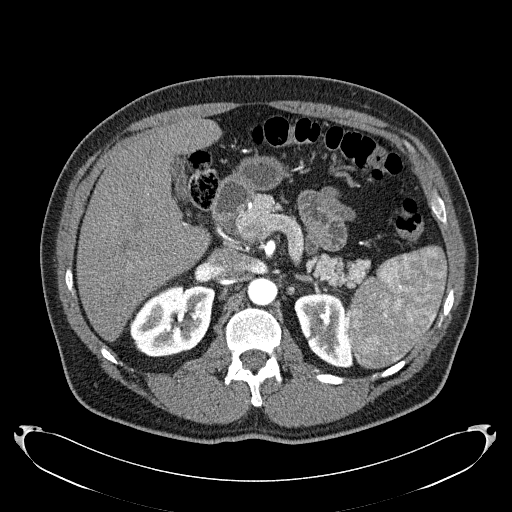
Abdominal CT with intravenous contrast, arterial phase, axial plane, 120 kVp, kernel B31f. Slice 148/279 from the bottom of the scan; thickness 2.00 mm; pixel size 0.824 mm.
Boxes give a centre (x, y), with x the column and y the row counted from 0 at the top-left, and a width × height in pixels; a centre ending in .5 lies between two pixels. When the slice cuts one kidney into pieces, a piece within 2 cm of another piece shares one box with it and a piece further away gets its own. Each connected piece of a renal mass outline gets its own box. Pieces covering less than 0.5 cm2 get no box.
Two boxes on this slice (two kidney boxes), listed by box centre from the image's left to its right. (1) Right kidney in a box with centre (172, 319.5), 87 × 74 pixels (outlined area 4,679 px, about 31.8 cm2). (2) Left kidney in a box with centre (322.5, 329.5), 58 × 76 pixels (outlined area 3,155 px, about 21.4 cm2).